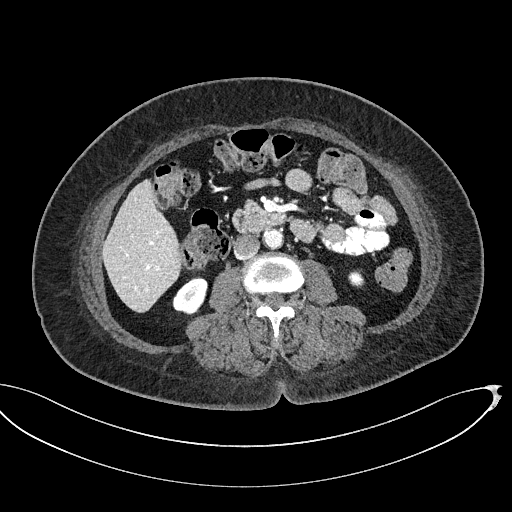
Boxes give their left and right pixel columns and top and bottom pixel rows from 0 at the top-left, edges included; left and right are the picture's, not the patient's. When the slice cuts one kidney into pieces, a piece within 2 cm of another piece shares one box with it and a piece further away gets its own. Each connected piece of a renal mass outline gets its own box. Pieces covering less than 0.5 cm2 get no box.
Slice 262/439 of a contrast-enhanced abdominal CT, counting up from the lowest; pixel size 0.850 mm, slice thickness 2.00 mm. Boxed on this slice (two kidney boxes), listed by box centre from the image's left to its right: (1) Right kidney in the box with left 172, top 276, right 207, bottom 315 (outlined area 963 px, about 7.0 cm2). (2) Box with left 348, top 269, right 364, bottom 287: left kidney (outlined area 226 px, about 1.6 cm2). No renal mass outline on this slice.
Scan settings: 100 kVp, I40f reconstruction kernel.